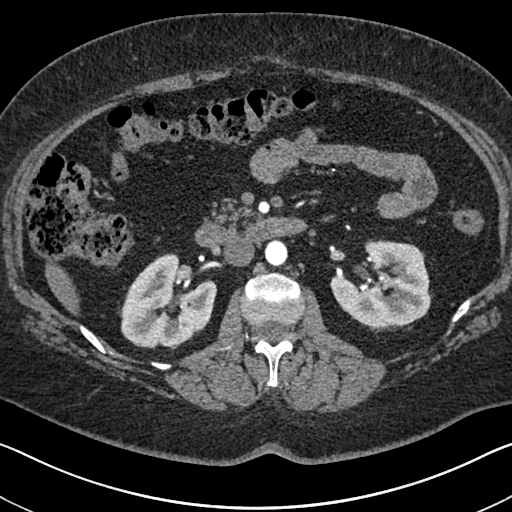
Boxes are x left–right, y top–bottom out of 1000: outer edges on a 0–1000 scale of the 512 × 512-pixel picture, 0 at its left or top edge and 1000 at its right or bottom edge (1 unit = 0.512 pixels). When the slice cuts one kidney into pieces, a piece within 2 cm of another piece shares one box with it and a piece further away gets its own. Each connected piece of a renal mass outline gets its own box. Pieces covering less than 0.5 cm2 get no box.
This is axial slice 402 of 591 (slice 1 is the lowest) of an arterial-phase abdominal CT with contrast; each pixel is 0.703 mm and the slice is 1.00 mm thick. Boxed on this slice (two kidney boxes), listed by box centre from the image's left to its right: (1) Right kidney, box x 230–424, y 494–684 out of 1000 (outlined area 6,444 px, about 31.9 cm2). (2) Box x 645–844, y 469–641 out of 1000: left kidney (outlined area 6,383 px, about 31.6 cm2). No renal mass is outlined on this slice.
Tube voltage 140 kVp; convolution kernel I30f.